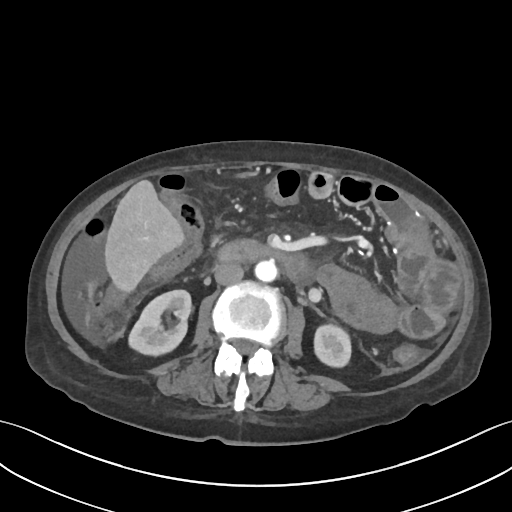
Axial slice 29 of 109 of a contrast-enhanced abdominal CT (slice 1 is the lowest), 120 kVp, kernel I30f; 3.00 mm slice thickness and 0.742 mm pixels.
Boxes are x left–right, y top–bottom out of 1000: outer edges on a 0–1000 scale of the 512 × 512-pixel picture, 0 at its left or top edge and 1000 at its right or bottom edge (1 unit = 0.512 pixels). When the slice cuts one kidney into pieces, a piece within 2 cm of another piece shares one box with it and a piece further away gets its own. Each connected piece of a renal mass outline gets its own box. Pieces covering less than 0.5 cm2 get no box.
Two kidney boxes on this slice; by box centre, from the image's left to its right: (1) Right kidney, box x 250–377, y 564–699 out of 1000 (outlined area 3,112 px, about 17.1 cm2). (2) Left kidney, box x 611–688, y 629–721 out of 1000 (outlined area 1,486 px, about 8.2 cm2). No renal mass is outlined on this slice.